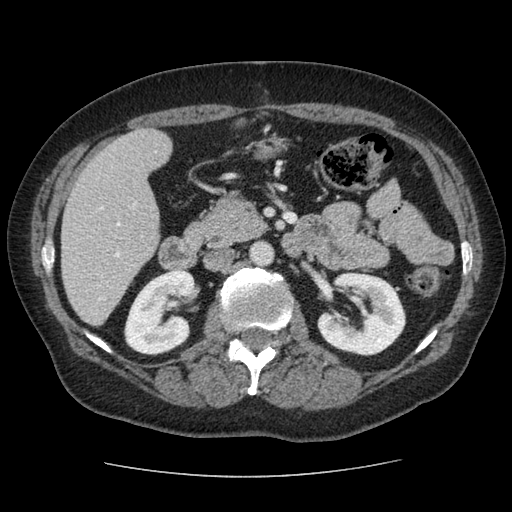
Abdominal CT with intravenous contrast, arterial phase, axial plane, 120 kVp, kernel STANDARD. Slice 48/96 from the bottom of the scan; thickness 2.50 mm; pixel size 0.689 mm.
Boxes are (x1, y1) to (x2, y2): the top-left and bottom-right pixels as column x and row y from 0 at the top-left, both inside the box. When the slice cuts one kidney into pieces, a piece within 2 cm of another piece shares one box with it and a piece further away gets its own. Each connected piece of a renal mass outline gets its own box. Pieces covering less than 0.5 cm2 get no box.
Two boxes on this slice (two kidney boxes), listed by box centre from the image's left to its right. (1) Right kidney, box (123, 270) to (196, 355) (outlined area 4,581 px, about 21.8 cm2). (2) Left kidney, box (317, 272) to (406, 355) (outlined area 5,271 px, about 25.1 cm2). No renal mass outline on this slice.